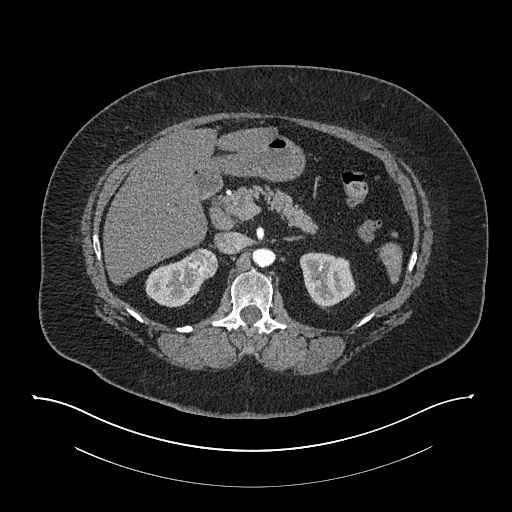
Arterial-phase contrast-enhanced abdominal CT, axial slice 528 of 673 (counted from the lowest slice); tube voltage 140 kVp, convolution kernel I30f; slices 1.00 mm thick, 0.957 mm per pixel.
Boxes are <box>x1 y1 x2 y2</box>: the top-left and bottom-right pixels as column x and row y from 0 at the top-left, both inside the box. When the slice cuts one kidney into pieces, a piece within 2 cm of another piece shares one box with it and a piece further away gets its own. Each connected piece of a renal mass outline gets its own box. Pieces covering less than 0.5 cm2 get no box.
Two kidney boxes and one renal mass box on this slice; by box centre, from the image's left to its right: (1) Right kidney: <box>145 255 207 307</box> (outlined area 1,953 px, about 17.9 cm2). (2) At <box>187 248 218 278</box>: right renal mass (outlined area 764 px, about 7.0 cm2). (3) Left kidney at <box>299 252 355 309</box> (outlined area 2,356 px, about 21.6 cm2).